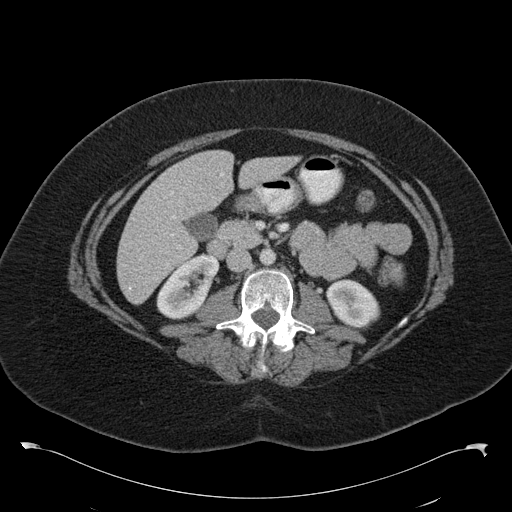
Arterial-phase contrast-enhanced abdominal CT, axial slice 59 of 97 (counted from the lowest slice); tube voltage 120 kVp, convolution kernel B30f; slices 5.00 mm thick, 0.824 mm per pixel.
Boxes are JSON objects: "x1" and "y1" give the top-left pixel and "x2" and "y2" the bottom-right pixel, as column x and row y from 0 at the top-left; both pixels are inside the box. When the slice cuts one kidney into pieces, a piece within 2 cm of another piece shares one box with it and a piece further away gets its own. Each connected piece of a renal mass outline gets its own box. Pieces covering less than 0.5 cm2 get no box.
Boxed on this slice (two kidney boxes), listed by box centre from the image's left to its right: (1) Right kidney, box {"x1": 156, "y1": 255, "x2": 218, "y2": 319} (outlined area 2,652 px, about 18.0 cm2). (2) Left kidney at {"x1": 326, "y1": 279, "x2": 380, "y2": 328} (outlined area 1,950 px, about 13.2 cm2). No renal mass outline on this slice.